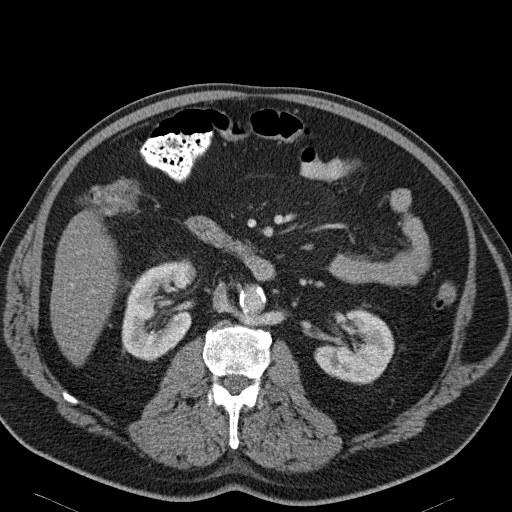
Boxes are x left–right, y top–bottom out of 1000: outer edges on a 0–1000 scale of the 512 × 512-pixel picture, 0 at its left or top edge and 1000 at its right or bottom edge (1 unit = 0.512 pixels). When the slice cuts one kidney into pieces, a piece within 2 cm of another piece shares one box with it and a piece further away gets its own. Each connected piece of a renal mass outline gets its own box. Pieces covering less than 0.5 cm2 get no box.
Arterial-phase contrast-enhanced abdominal CT, axial slice 77 of 114 (counted from the lowest slice); 5.00 mm thick, 0.781 mm per pixel. Two kidney boxes on this slice; by box centre, from the image's left to its right: (1) Right kidney, box x 238–385, y 506–705 out of 1000 (outlined area 5,398 px, about 32.9 cm2). (2) Left kidney, box x 613–771, y 604–752 out of 1000 (outlined area 4,181 px, about 25.5 cm2). No renal mass is outlined on this slice.
Tube voltage 120 kVp; convolution kernel B31f.